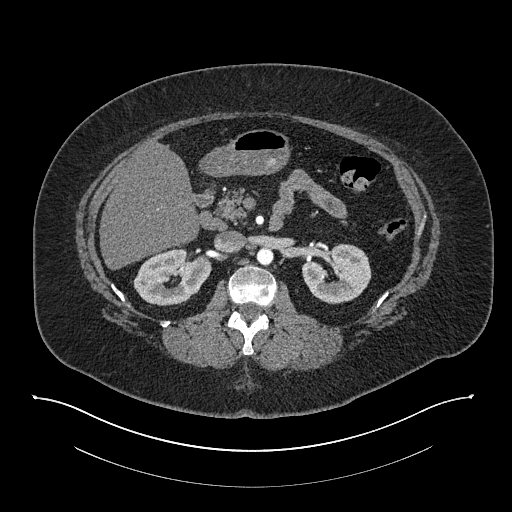
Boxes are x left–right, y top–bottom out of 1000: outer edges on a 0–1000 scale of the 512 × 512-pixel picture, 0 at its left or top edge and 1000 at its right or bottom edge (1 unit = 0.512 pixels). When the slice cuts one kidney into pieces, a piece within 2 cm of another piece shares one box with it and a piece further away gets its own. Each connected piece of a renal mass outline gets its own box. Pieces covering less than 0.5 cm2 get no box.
Slice 489/673 of a contrast-enhanced abdominal CT in the arterial phase, counting up from the lowest; pixel size 0.957 mm, slice thickness 1.00 mm. Two boxes on this slice (two kidney boxes), listed by box centre from the image's left to its right. (1) Right kidney at x 260–414, y 482–598 out of 1000 (outlined area 3,277 px, about 30.0 cm2). (2) Left kidney at x 590–727, y 475–596 out of 1000 (outlined area 3,000 px, about 27.5 cm2). No renal mass is outlined on this slice.
Scan settings: 140 kVp, I30f reconstruction kernel.